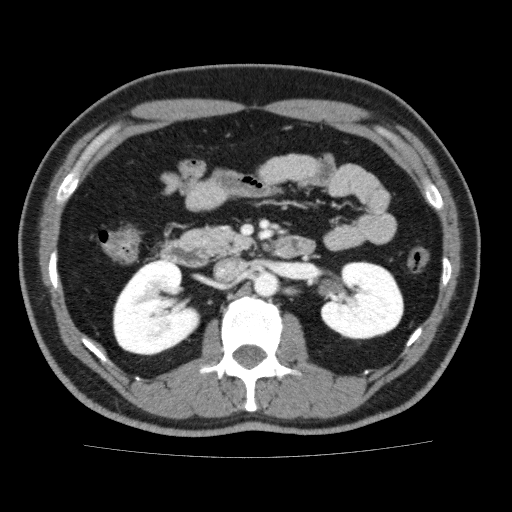
Contrast-enhanced abdominal CT, axial slice 103 of 159 (counted from the lowest slice); tube voltage 120 kVp, convolution kernel FC13; slices 3.00 mm thick, 0.668 mm per pixel.
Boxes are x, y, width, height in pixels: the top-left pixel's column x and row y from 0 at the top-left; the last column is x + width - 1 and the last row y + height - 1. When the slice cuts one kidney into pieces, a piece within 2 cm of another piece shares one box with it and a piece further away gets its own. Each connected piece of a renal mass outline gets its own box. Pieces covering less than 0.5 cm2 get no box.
Two boxes on this slice (two kidney boxes), listed by box centre from the image's left to its right. (1) Right kidney at x 112, y 258, width 90, height 98 (outlined area 6,119 px, about 27.3 cm2). (2) Box x 320, y 261, width 84, height 79: left kidney (outlined area 5,053 px, about 22.5 cm2). No renal mass is outlined on this slice.